One axial slice (348 of 1059, counting up from the lowest) of an arterial-phase abdominal CT acquired with 100 kVp, kernel I30f; each pixel is 0.811 mm and the slice is 1.00 mm thick.
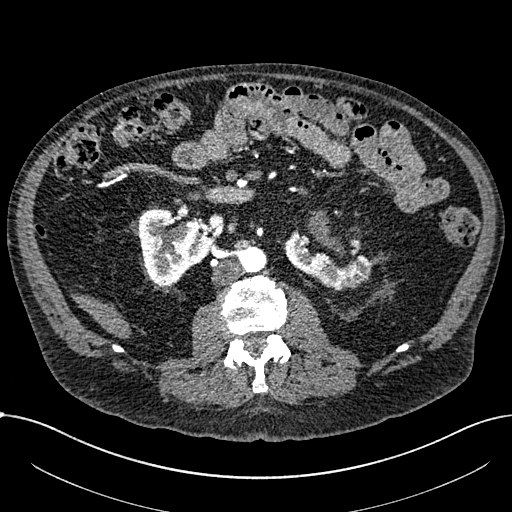
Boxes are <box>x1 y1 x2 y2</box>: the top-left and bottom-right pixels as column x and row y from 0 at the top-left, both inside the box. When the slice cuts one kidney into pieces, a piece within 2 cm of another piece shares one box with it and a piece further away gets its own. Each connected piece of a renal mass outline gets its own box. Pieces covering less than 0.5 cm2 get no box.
Boxed on this slice (two kidney boxes), listed by box centre from the image's left to its right: (1) At <box>137 207 211 286</box>: right part of the midline-crossing kidney (outlined area 4,015 px, about 26.4 cm2). (2) At <box>283 232 372 290</box>: left part of the midline-crossing kidney (outlined area 2,820 px, about 18.5 cm2). No renal mass is outlined on this slice.